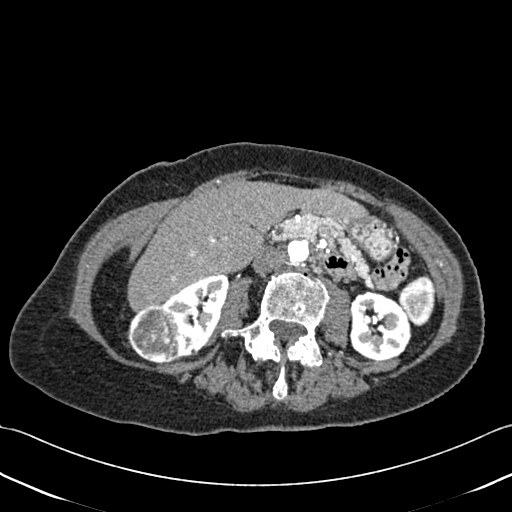
Contrast-enhanced abdominal CT, axial slice 215 of 433 (counted from the lowest slice); tube voltage 120 kVp, convolution kernel B30f; slices 1.00 mm thick, 0.672 mm per pixel.
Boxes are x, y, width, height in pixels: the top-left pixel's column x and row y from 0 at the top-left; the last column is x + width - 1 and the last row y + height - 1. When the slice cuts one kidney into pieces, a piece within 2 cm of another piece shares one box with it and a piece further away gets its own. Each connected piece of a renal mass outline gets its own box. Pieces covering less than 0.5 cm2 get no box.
Boxed on this slice (two kidney boxes and one renal mass box), listed by box centre from the image's left to its right: (1) Right renal mass, box x 127, y 305, width 56, height 59 (outlined area 2,608 px, about 11.8 cm2). (2) Right kidney at x 161, y 274, width 69, height 87 (outlined area 3,128 px, about 14.1 cm2). (3) Left kidney, box x 349, y 291, width 63, height 69 (outlined area 3,430 px, about 15.5 cm2).